Abdominal CT with intravenous contrast, arterial phase, axial plane, 100 kVp, kernel I31f. Slice 81/195 from the bottom of the scan; thickness 1.50 mm; pixel size 0.707 mm.
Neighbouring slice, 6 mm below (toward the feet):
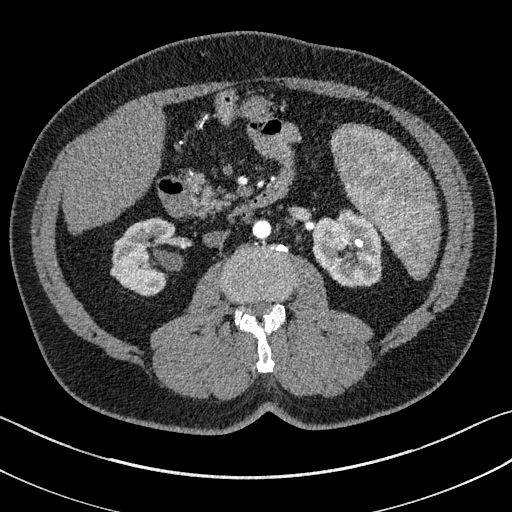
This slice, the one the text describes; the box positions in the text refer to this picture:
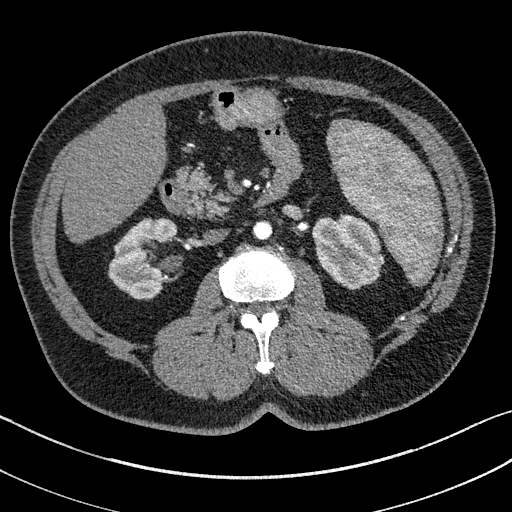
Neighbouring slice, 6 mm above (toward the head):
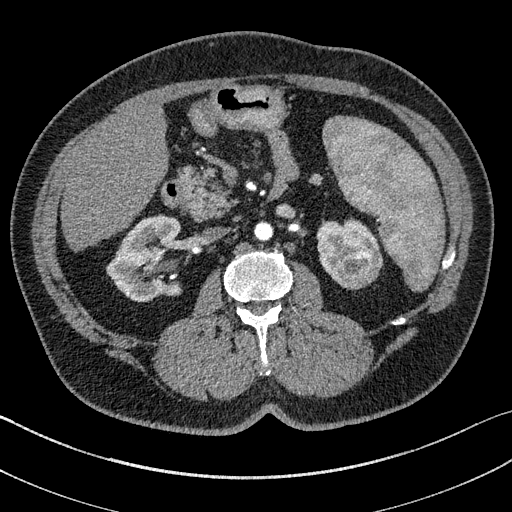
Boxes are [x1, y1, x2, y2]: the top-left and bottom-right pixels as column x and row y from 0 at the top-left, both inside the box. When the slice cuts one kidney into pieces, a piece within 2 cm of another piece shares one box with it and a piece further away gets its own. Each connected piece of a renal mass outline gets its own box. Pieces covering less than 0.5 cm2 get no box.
Boxed on this slice (two kidney boxes and one renal mass box), listed by box centre from the image's left to its right: (1) Right kidney, box [108, 218, 177, 299] (outlined area 3,673 px, about 18.4 cm2). (2) Left kidney at [312, 214, 383, 289] (outlined area 3,396 px, about 17.0 cm2). (3) Left renal mass at [353, 255, 380, 280] (outlined area 572 px, about 2.9 cm2). This slice is near the end of the left renal mass toward the feet, so the slices 6 mm below and 6 mm above it are shown as well; the boxes refer to this slice only.